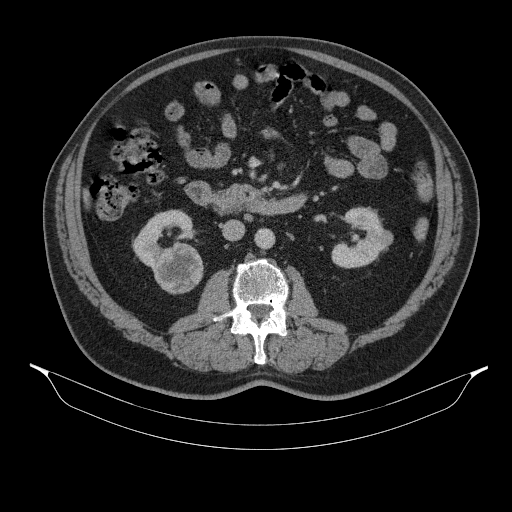
Contrast-enhanced abdominal CT, axial slice 190 of 314 (counted from the lowest slice); tube voltage 130 kVp, convolution kernel B31s; slices 2.50 mm thick, 0.934 mm per pixel.
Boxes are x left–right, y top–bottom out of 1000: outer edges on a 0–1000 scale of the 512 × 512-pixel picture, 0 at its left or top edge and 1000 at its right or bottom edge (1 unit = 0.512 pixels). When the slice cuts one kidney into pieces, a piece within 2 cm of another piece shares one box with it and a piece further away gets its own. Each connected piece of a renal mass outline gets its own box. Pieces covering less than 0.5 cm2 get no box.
Boxed on this slice (two kidney boxes and one renal mass box), listed by box centre from the image's left to its right: (1) Box x 260–377, y 408–529 out of 1000: right kidney (outlined area 1,873 px, about 16.3 cm2). (2) Right renal mass, box x 299–398, y 475–576 out of 1000 (outlined area 2,033 px, about 17.7 cm2). (3) Left kidney at x 646–770, y 404–525 out of 1000 (outlined area 2,404 px, about 21.0 cm2).